Axial slice 237 of 665 of a contrast-enhanced abdominal CT in the arterial phase (slice 1 is the lowest), 100 kVp, kernel I26f; 1.00 mm slice thickness and 0.828 mm pixels.
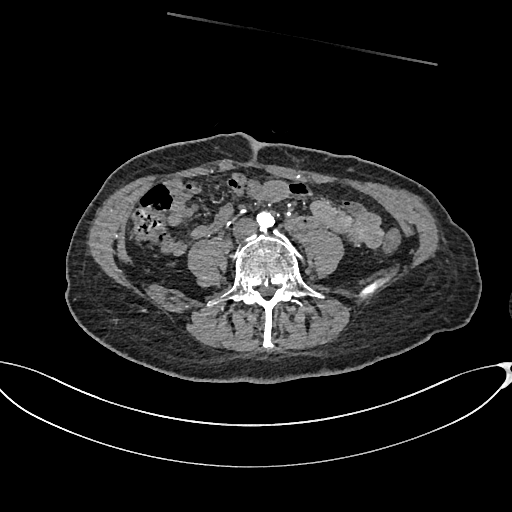
This slice carries no outline: it lies beyond the outlined kidneys and beyond every outlined renal mass. Other organs are not outlined in this scan.